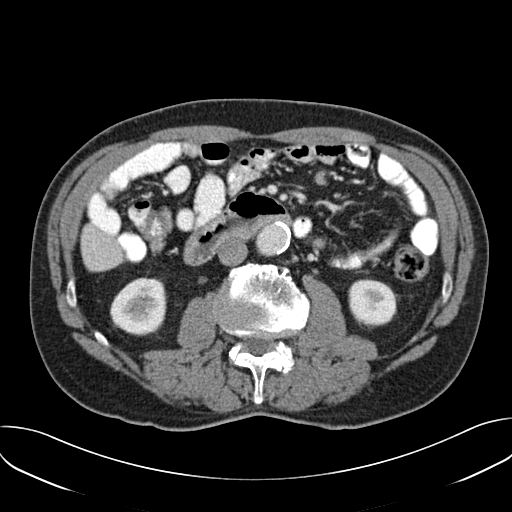
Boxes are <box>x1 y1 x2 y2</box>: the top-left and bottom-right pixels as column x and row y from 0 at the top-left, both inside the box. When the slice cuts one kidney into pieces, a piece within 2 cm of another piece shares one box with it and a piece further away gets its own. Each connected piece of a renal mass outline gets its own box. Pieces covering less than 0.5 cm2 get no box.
This is axial slice 93 of 157 (slice 1 is the lowest) of an arterial-phase abdominal CT with contrast; each pixel is 0.742 mm and the slice is 3.00 mm thick. Two kidney boxes on this slice; by box centre, from the image's left to its right: (1) Right kidney at <box>110 277 166 335</box> (outlined area 2,638 px, about 14.5 cm2). (2) At <box>348 279 395 325</box>: left kidney (outlined area 1,873 px, about 10.3 cm2). This slice carries no renal mass outline.
Tube voltage 120 kVp; convolution kernel B30f.